Axial slice 308 of 1059 of a contrast-enhanced abdominal CT in the arterial phase (slice 1 is the lowest), 100 kVp, kernel I30f; 1.00 mm slice thickness and 0.811 mm pixels.
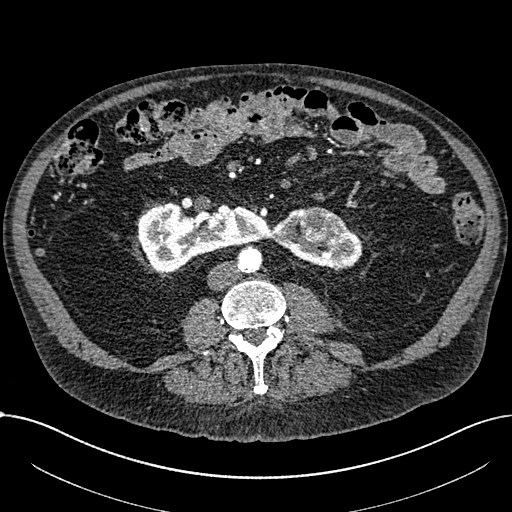
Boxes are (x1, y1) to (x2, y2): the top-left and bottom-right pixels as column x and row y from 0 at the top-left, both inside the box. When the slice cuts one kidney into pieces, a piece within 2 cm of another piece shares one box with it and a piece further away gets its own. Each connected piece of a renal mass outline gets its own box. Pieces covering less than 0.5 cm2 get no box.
Two boxes on this slice (one kidney box and one renal mass box), listed by box centre from the image's left to its right. (1) Kidney crossing the body midline from (137, 202) to (362, 271) (outlined area 8,726 px, about 57.3 cm2). (2) Box (298, 206) to (344, 244): renal mass (outlined area 1,332 px, about 8.8 cm2).